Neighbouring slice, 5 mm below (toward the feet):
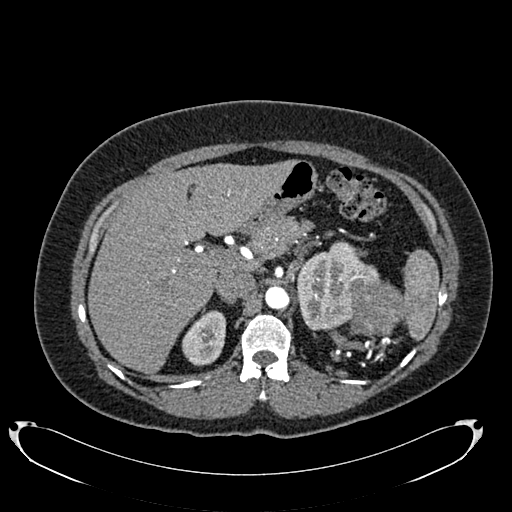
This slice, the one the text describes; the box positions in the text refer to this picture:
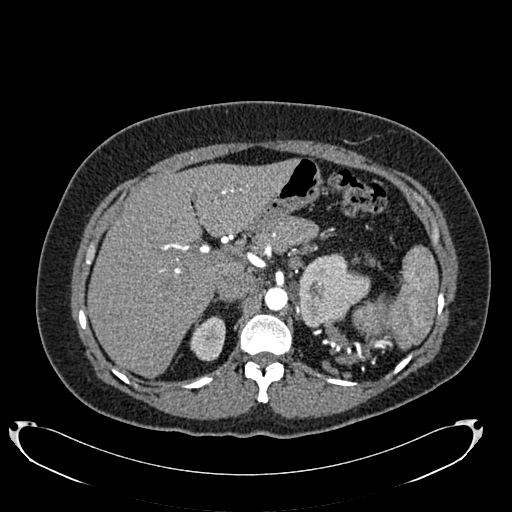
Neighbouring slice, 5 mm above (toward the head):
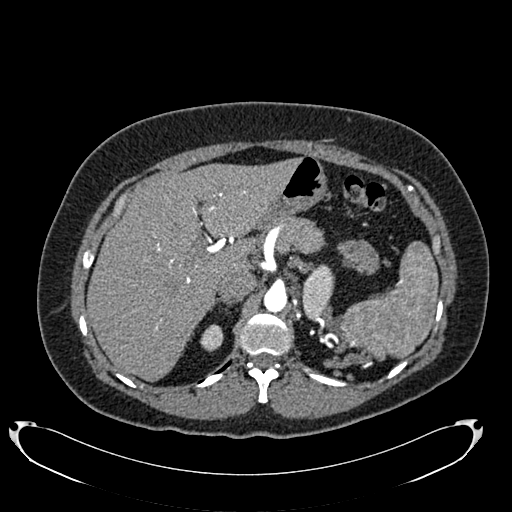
One axial slice (526 of 634, counting up from the lowest) of an arterial-phase abdominal CT acquired with 120 kVp, kernel B20f; each pixel is 0.838 mm and the slice is 1.00 mm thick.
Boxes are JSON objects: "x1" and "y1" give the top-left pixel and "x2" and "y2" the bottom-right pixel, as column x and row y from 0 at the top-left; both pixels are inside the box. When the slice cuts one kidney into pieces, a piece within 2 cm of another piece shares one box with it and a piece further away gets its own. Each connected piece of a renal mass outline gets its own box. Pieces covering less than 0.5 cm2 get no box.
Three boxes on this slice (two kidney boxes and one renal mass box), listed by box centre from the image's left to its right. (1) Box {"x1": 190, "y1": 316, "x2": 225, "y2": 361}: right kidney (outlined area 1,232 px, about 8.6 cm2). (2) Left kidney, box {"x1": 298, "y1": 253, "x2": 370, "y2": 327} (outlined area 3,739 px, about 26.3 cm2). (3) Box {"x1": 367, "y1": 301, "x2": 384, "y2": 322}: left renal mass (outlined area 237 px, about 1.7 cm2); it sits over 1 cm from every kidney outline on this slice, but the same outlined renal mass comes within 1 cm of the kidney on another slice. This slice is near the end of the left renal mass toward the head, so the slices 5 mm below and 5 mm above it are shown as well; the boxes refer to this slice only.